Arterial-phase contrast-enhanced abdominal CT, axial slice 374 of 527 (counted from the lowest slice); tube voltage 120 kVp, convolution kernel I30f; slices 1.00 mm thick, 0.859 mm per pixel.
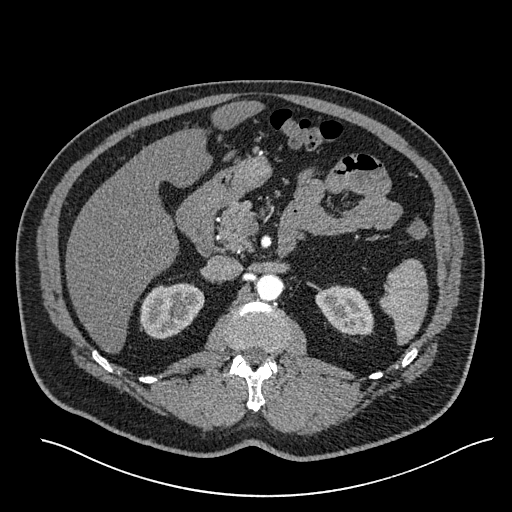
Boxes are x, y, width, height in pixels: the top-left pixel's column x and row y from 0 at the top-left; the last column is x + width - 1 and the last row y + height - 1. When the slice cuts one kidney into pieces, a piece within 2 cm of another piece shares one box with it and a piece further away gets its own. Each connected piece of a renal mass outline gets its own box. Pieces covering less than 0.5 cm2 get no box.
Boxed on this slice (two kidney boxes), listed by box centre from the image's left to its right: (1) Box x 139, y 283, width 66, height 57: right kidney (outlined area 2,753 px, about 20.3 cm2). (2) Box x 315, y 285, width 59, height 51: left kidney (outlined area 2,169 px, about 16.0 cm2). No renal mass is outlined on this slice.